Contrast-enhanced abdominal CT, axial slice 323 of 433 (counted from the lowest slice); tube voltage 120 kVp, convolution kernel B30f; slices 1.00 mm thick, 0.672 mm per pixel.
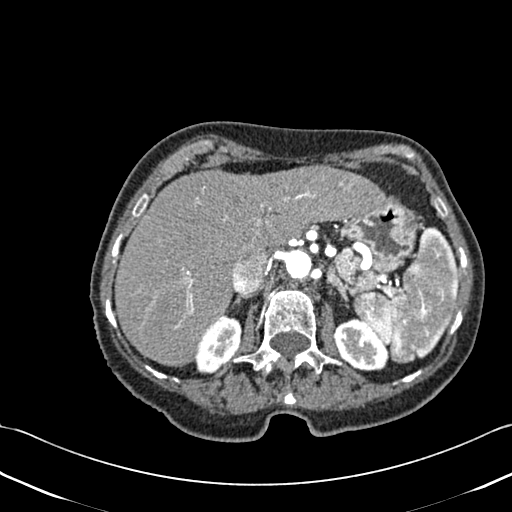
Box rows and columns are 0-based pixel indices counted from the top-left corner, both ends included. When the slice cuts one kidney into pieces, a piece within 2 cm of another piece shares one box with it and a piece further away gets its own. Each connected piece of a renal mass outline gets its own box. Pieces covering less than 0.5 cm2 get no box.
Two boxes on this slice (two kidney boxes), listed by box centre from the image's left to its right. (1) Right kidney at rows 314–374, columns 196–242 (outlined area 1,884 px, about 8.5 cm2). (2) Left kidney, box rows 318–371, columns 333–390 (outlined area 2,107 px, about 9.5 cm2). This slice carries no renal mass outline.